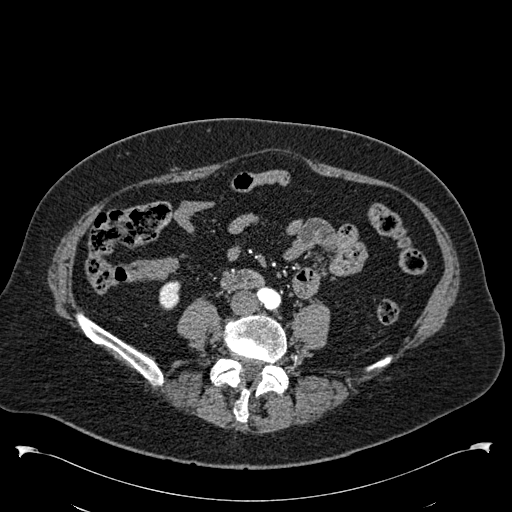
Arterial-phase contrast-enhanced abdominal CT, axial slice 197 of 538 (counted from the lowest slice); tube voltage 120 kVp, convolution kernel B30f; slices 1.00 mm thick, 0.811 mm per pixel.
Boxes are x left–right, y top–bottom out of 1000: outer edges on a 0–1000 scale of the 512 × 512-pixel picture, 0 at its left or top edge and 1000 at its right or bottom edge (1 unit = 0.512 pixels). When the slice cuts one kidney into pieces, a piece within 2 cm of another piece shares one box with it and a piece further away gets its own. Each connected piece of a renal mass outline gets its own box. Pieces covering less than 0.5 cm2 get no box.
Right kidney, box x 311–354, y 547–607 out of 1000 (outlined area 518 px, about 3.4 cm2). No renal mass is outlined on this slice.